Axial slice 5 of 234 of a contrast-enhanced abdominal CT in the arterial phase (slice 1 is the lowest), 100 kVp, kernel I40f; 2.00 mm slice thickness and 0.699 mm pixels.
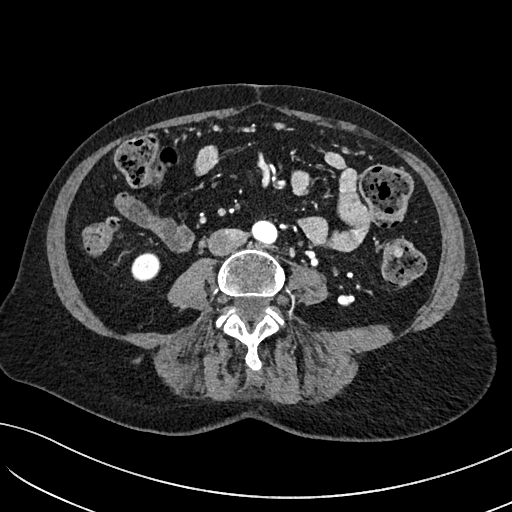
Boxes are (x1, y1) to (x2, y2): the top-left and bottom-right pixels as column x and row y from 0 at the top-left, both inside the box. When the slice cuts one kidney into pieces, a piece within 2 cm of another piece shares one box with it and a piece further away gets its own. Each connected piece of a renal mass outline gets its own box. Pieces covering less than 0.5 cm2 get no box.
Right kidney from (131, 252) to (160, 280) (outlined area 687 px, about 3.4 cm2). No renal mass is outlined on this slice.